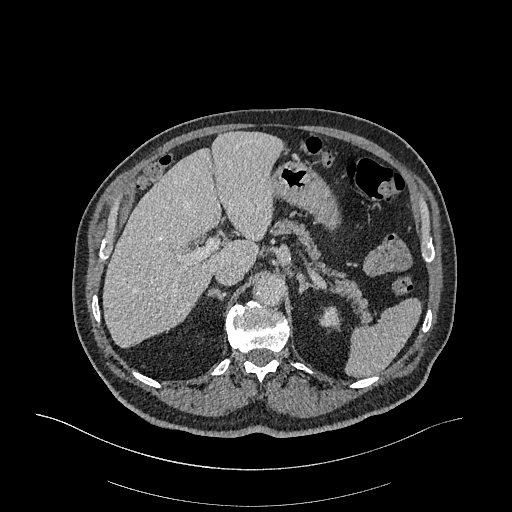
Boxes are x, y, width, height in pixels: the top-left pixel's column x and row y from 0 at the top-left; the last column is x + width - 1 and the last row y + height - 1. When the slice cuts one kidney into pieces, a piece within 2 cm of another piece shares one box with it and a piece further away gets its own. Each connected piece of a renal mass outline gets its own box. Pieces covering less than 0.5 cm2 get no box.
This is axial slice 258 of 470 (slice 1 is the lowest) of an arterial-phase abdominal CT with contrast; each pixel is 0.938 mm and the slice is 1.00 mm thick. Box x 319, y 306, width 24, height 26: left kidney (outlined area 414 px, about 3.6 cm2). This slice carries no renal mass outline.
Tube voltage 120 kVp; convolution kernel I26f.